One axial slice (509 of 719, counting up from the lowest) of an arterial-phase abdominal CT acquired with 120 kVp, kernel B20f; each pixel is 0.766 mm and the slice is 1.00 mm thick.
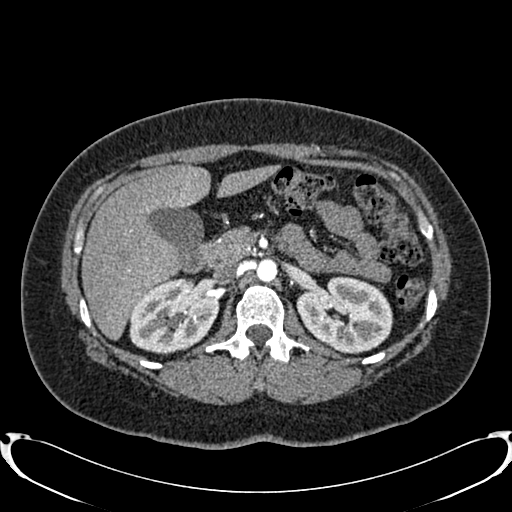
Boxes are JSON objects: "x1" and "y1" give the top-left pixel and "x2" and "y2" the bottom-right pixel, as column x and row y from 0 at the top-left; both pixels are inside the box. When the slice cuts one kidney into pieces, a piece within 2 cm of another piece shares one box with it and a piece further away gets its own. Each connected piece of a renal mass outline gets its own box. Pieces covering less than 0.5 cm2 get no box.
Two boxes on this slice (two kidney boxes), listed by box centre from the image's left to its right. (1) Right kidney at {"x1": 129, "y1": 278, "x2": 218, "y2": 354} (outlined area 5,187 px, about 30.4 cm2). (2) Left kidney, box {"x1": 296, "y1": 276, "x2": 392, "y2": 353} (outlined area 5,526 px, about 32.4 cm2). No renal mass outline on this slice.